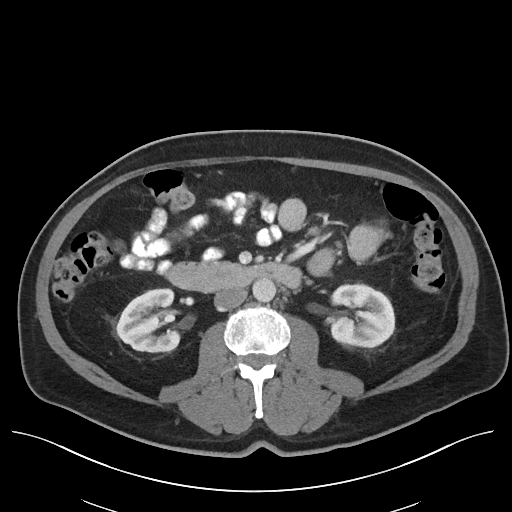
Arterial-phase contrast-enhanced abdominal CT, axial slice 62 of 96 (counted from the lowest slice); tube voltage 120 kVp, convolution kernel I40f; slices 5.00 mm thick, 0.840 mm per pixel.
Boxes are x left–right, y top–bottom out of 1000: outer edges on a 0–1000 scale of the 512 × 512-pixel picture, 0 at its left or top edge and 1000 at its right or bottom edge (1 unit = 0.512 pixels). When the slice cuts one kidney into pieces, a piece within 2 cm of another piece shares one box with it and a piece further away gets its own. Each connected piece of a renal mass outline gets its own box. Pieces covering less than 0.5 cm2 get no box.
Two boxes on this slice (two kidney boxes), listed by box centre from the image's left to its right. (1) Right kidney, box x 225–354, y 563–689 out of 1000 (outlined area 3,136 px, about 22.1 cm2). (2) Box x 643–773, y 553–680 out of 1000: left kidney (outlined area 3,477 px, about 24.5 cm2). No renal mass is outlined on this slice.